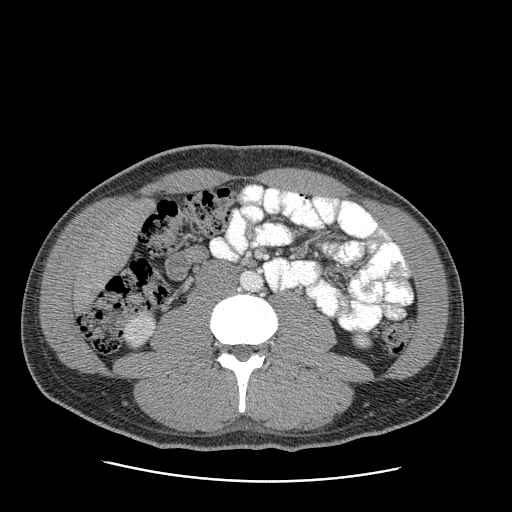
One axial slice (128 of 199, counting up from the lowest) of an arterial-phase abdominal CT acquired with 120 kVp, kernel STANDARD; each pixel is 0.789 mm and the slice is 2.50 mm thick.
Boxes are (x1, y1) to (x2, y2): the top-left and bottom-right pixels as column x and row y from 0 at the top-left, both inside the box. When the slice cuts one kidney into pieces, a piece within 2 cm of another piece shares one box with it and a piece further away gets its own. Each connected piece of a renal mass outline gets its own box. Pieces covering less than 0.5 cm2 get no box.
Two boxes on this slice (two kidney boxes), listed by box centre from the image's left to its right. (1) Box (124, 310) to (156, 348): right kidney (outlined area 890 px, about 5.5 cm2). (2) Left kidney, box (351, 334) to (373, 349) (outlined area 289 px, about 1.8 cm2). No renal mass is outlined on this slice.